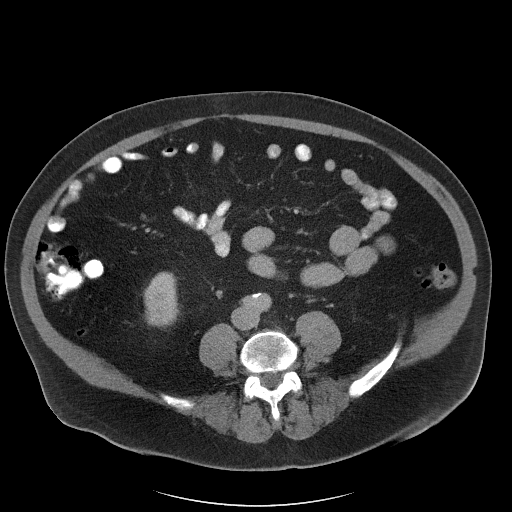
Contrast-enhanced abdominal CT, axial slice 48 of 102 (counted from the lowest slice); tube voltage 120 kVp, convolution kernel I40f; slices 5.00 mm thick, 0.977 mm per pixel.
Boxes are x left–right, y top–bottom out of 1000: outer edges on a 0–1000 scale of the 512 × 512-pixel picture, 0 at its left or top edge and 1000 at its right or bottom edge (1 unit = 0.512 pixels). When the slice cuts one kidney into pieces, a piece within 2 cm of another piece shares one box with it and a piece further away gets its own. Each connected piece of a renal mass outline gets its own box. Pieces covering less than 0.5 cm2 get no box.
Right kidney at x 279–352, y 529–641 out of 1000 (outlined area 1,649 px, about 15.7 cm2). This slice carries no renal mass outline.